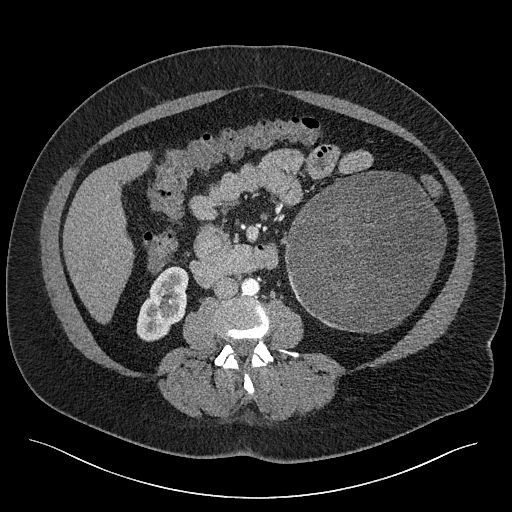
One axial slice (101 of 301, counting up from the lowest) of a contrast-enhanced abdominal CT acquired with 120 kVp, kernel I40f; each pixel is 0.859 mm and the slice is 2.00 mm thick.
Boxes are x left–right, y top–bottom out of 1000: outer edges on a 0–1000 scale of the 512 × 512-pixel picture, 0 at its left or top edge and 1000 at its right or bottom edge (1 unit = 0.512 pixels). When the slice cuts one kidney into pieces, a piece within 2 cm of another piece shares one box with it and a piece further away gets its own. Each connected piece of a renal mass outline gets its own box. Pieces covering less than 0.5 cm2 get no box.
One kidney box and one renal mass box on this slice; by box centre, from the image's left to its right: (1) Right kidney at x 266–369, y 520–668 out of 1000 (outlined area 2,678 px, about 19.8 cm2). (2) Box x 555–873, y 334–652 out of 1000: left renal mass (outlined area 20,148 px, about 148.8 cm2); on this slice it lies more than 1 cm from any kidney outline, but the same outlined renal mass comes within 1 cm of the kidney on another slice.